Axial slice 62 of 109 of a contrast-enhanced abdominal CT (slice 1 is the lowest), 120 kVp, kernel I30f; 3.00 mm slice thickness and 0.742 mm pixels.
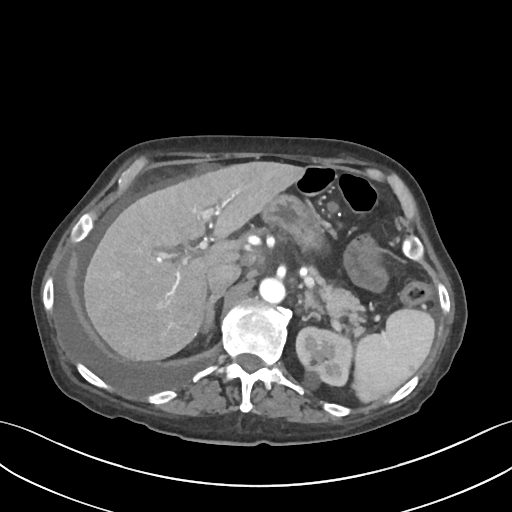
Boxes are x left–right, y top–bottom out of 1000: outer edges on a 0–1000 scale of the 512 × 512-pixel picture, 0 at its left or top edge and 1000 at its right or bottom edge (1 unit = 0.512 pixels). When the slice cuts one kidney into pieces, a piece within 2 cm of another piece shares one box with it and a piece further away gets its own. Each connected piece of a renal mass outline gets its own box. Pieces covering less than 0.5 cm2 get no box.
Box x 576–691, y 635–764 out of 1000: left kidney (outlined area 2,991 px, about 16.5 cm2). No renal mass outline on this slice.